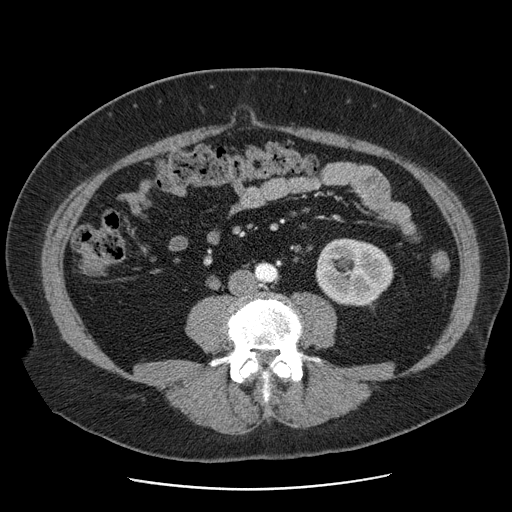
One axial slice (19 of 103, counting up from the lowest) of a contrast-enhanced abdominal CT acquired with 120 kVp, kernel STANDARD; each pixel is 0.736 mm and the slice is 2.50 mm thick.
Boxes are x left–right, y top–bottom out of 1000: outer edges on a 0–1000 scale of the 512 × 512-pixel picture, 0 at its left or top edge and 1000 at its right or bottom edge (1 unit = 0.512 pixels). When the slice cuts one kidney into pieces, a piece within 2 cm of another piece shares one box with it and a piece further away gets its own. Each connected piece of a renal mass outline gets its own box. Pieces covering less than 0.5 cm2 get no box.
Left kidney, box x 615–770, y 465–598 out of 1000 (outlined area 4,140 px, about 22.4 cm2). This slice carries no renal mass outline.